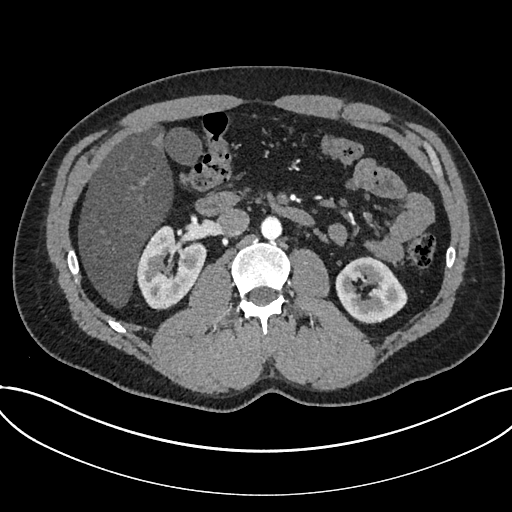
Axial slice 409 of 735 of a contrast-enhanced abdominal CT in the arterial phase (slice 1 is the lowest), 120 kVp, kernel I30f; 1.00 mm slice thickness and 0.789 mm pixels.
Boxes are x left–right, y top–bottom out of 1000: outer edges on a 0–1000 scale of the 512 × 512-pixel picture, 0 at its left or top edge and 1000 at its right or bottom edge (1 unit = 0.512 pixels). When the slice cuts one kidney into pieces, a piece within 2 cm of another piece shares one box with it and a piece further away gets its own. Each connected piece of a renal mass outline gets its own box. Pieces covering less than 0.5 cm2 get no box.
Two boxes on this slice (two kidney boxes), listed by box centre from the image's left to its right. (1) Kidney, box x 266–406, y 439–607 out of 1000 (outlined area 4,153 px, about 25.9 cm2). (2) Kidney at x 654–797, y 500–633 out of 1000 (outlined area 3,413 px, about 21.3 cm2). No renal mass outline on this slice.